Axial slice 398 of 705 of a contrast-enhanced abdominal CT in the arterial phase (slice 1 is the lowest), 120 kVp, kernel I30f; 1.00 mm slice thickness and 0.703 mm pixels.
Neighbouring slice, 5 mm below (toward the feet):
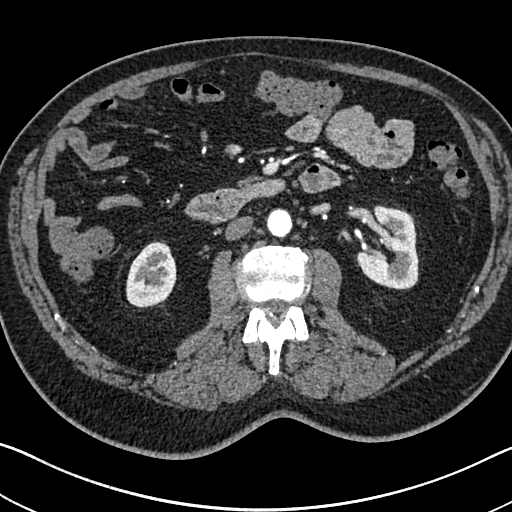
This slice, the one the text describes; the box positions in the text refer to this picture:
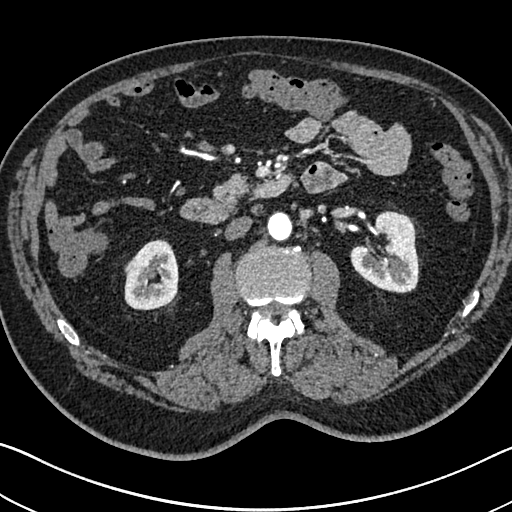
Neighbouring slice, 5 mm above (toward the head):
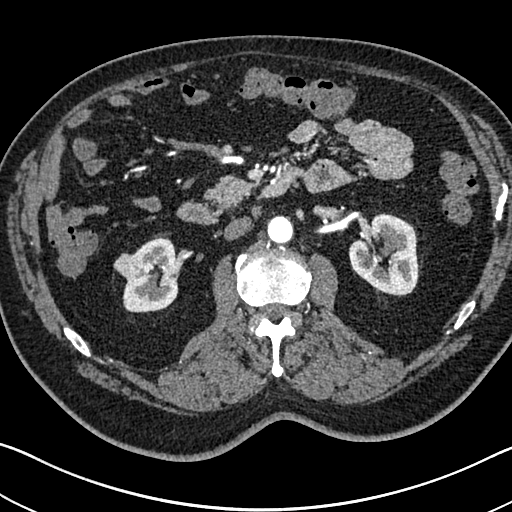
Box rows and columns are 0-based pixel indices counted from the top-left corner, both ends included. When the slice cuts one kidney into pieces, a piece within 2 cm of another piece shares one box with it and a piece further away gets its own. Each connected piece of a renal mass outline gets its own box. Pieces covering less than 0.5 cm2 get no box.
Two kidney boxes and one renal mass box on this slice; by box centre, from the image's left to its right: (1) Right renal mass at rows 257–273, columns 124–135 (outlined area 129 px, about 0.6 cm2). (2) Right kidney at rows 239–310, columns 124–178 (outlined area 2,976 px, about 14.7 cm2). (3) Left kidney at rows 211–293, columns 350–420 (outlined area 4,059 px, about 20.1 cm2). This slice is near the end of the right renal mass toward the feet, so the slices 5 mm below and 5 mm above it are shown as well; the boxes refer to this slice only.